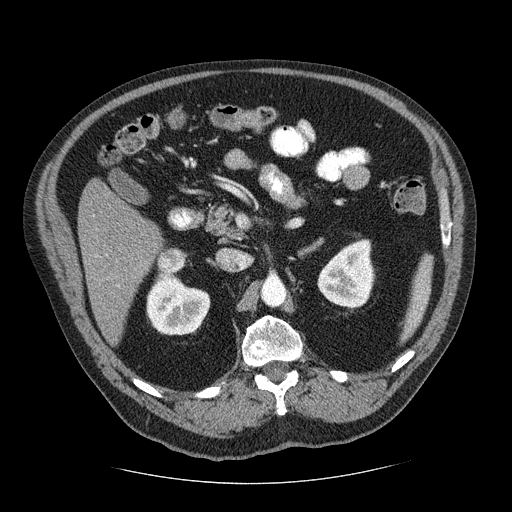
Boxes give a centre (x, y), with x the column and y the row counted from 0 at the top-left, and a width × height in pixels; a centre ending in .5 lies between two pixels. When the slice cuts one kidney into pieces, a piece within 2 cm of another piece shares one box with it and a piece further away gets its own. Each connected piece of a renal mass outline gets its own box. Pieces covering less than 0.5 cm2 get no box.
Contrast-enhanced abdominal CT, axial slice 143 of 206 (counted from the lowest slice); 2.50 mm thick, 0.879 mm per pixel. Boxed on this slice (two kidney boxes and one renal mass box), listed by box centre from the image's left to its right: (1) Right renal mass in a box with centre (171.5, 260), 32 × 27 pixels (outlined area 679 px, about 5.2 cm2). (2) Box centre (178, 304), 65 × 63 pixels: right kidney (outlined area 3,062 px, about 23.7 cm2). (3) Left kidney, box centre (346, 273), 59 × 71 pixels (outlined area 2,955 px, about 22.8 cm2).
Acquired at 120 kVp and reconstructed with the STANDARD kernel.